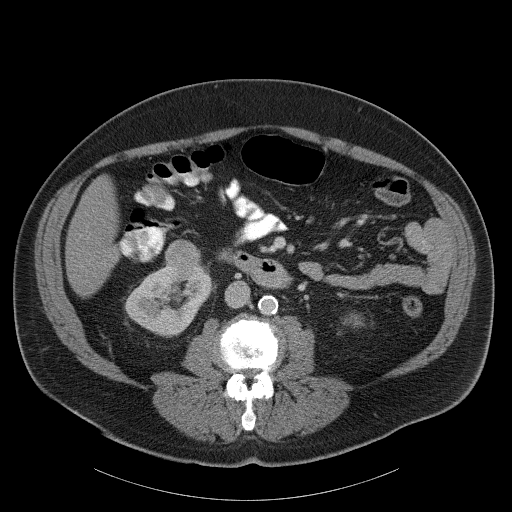
Abdominal CT with intravenous contrast, axial plane, 120 kVp, kernel B31f. Slice 58/107 from the bottom of the scan; thickness 5.00 mm; pixel size 0.941 mm.
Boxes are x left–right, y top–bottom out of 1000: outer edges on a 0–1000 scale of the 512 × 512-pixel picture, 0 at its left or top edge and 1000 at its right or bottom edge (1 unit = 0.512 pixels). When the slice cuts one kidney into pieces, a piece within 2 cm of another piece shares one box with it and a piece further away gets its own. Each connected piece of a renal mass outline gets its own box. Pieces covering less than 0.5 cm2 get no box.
Two kidney boxes and one renal mass box on this slice; by box centre, from the image's left to its right: (1) Right kidney at x 242–418, y 512–660 out of 1000 (outlined area 4,272 px, about 37.9 cm2). (2) Right renal mass, box x 320–395, y 467–549 out of 1000 (outlined area 1,095 px, about 9.7 cm2). (3) Left kidney at x 670–713, y 611–641 out of 1000 (outlined area 214 px, about 1.9 cm2).